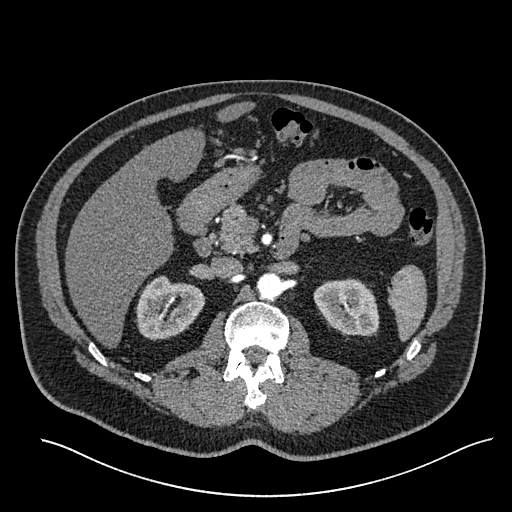
One axial slice (362 of 527, counting up from the lowest) of an arterial-phase abdominal CT acquired with 120 kVp, kernel I30f; each pixel is 0.859 mm and the slice is 1.00 mm thick.
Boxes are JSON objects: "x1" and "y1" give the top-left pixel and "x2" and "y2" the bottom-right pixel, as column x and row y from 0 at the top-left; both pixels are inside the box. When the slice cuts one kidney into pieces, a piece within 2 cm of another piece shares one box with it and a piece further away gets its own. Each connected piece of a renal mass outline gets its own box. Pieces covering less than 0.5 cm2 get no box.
Two kidney boxes on this slice; by box centre, from the image's left to its right: (1) Box {"x1": 135, "y1": 275, "x2": 205, "y2": 340}: right kidney (outlined area 3,220 px, about 23.8 cm2). (2) Box {"x1": 313, "y1": 278, "x2": 379, "y2": 336}: left kidney (outlined area 2,960 px, about 21.9 cm2).